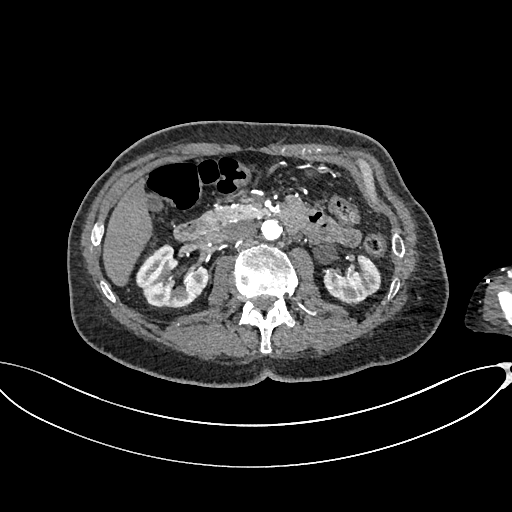
Axial slice 393 of 665 of a contrast-enhanced abdominal CT in the arterial phase (slice 1 is the lowest), 100 kVp, kernel I26f; 1.00 mm slice thickness and 0.828 mm pixels.
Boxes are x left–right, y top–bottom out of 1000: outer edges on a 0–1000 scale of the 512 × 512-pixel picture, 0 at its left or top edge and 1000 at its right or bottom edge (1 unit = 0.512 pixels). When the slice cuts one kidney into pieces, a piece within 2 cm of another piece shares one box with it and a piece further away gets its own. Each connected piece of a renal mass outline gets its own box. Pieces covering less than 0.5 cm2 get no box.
Boxed on this slice (two kidney boxes), listed by box centre from the image's left to its right: (1) Box x 264–408, y 475–604 out of 1000: right kidney (outlined area 3,112 px, about 21.3 cm2). (2) Left kidney, box x 631–746, y 494–598 out of 1000 (outlined area 2,020 px, about 13.9 cm2). This slice carries no renal mass outline.